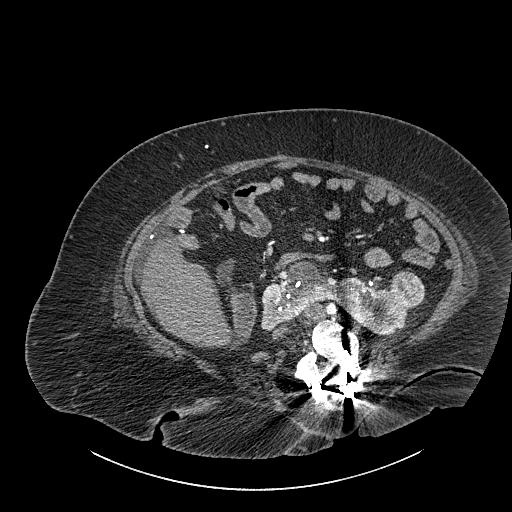
One axial slice (491 of 834, counting up from the lowest) of a contrast-enhanced abdominal CT acquired with 140 kVp, kernel I30f; each pixel is 0.977 mm and the slice is 1.00 mm thick.
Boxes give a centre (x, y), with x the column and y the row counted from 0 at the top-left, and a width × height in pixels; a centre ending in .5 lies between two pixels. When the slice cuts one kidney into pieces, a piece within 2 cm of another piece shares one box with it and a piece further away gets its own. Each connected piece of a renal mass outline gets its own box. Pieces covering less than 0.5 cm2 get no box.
Boxed on this slice (one kidney box and one renal mass box), listed by box centre from the image's left to its right: (1) Kidney crossing the body midline, box centre (336.5, 299.5), 152 × 78 pixels (outlined area 5,683 px, about 54.2 cm2). (2) Box centre (406.5, 289), 36 × 37 pixels: renal mass (outlined area 1,041 px, about 9.9 cm2).